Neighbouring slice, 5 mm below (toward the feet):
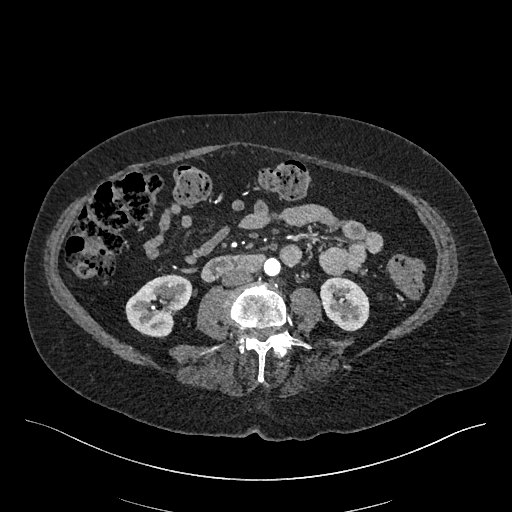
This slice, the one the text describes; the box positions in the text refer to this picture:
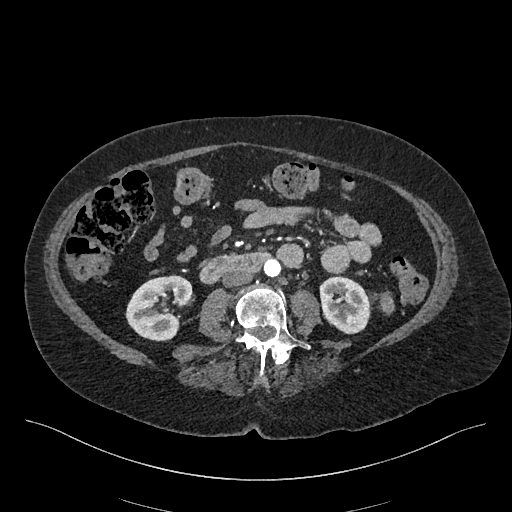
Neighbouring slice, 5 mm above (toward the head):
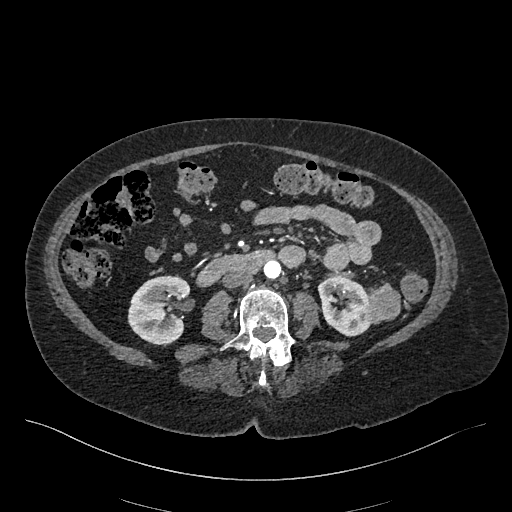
Axial slice 196 of 548 of a contrast-enhanced abdominal CT in the arterial phase (slice 1 is the lowest), 120 kVp, kernel I26f; 1.00 mm slice thickness and 0.852 mm pixels.
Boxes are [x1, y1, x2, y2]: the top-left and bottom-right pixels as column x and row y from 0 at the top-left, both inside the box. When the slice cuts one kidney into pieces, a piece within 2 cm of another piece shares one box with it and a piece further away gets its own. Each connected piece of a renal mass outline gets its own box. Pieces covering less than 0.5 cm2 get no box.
Boxed on this slice (two kidney boxes and one renal mass box), listed by box centre from the image's left to its right: (1) Right kidney at [125, 274, 192, 341] (outlined area 3,154 px, about 22.9 cm2). (2) Box [319, 276, 370, 334]: left kidney (outlined area 2,342 px, about 17.0 cm2). (3) Box [376, 291, 394, 315]: left renal mass (outlined area 299 px, about 2.2 cm2). This slice is near the end of the left renal mass toward the feet, so the slices 5 mm below and 5 mm above it are shown as well; the boxes refer to this slice only.